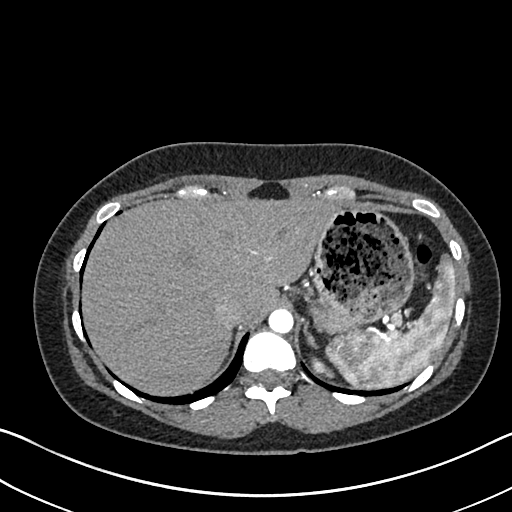
One axial slice (559 of 612, counting up from the lowest) of an arterial-phase abdominal CT acquired with 120 kVp, kernel I30f; each pixel is 0.703 mm and the slice is 1.00 mm thick.
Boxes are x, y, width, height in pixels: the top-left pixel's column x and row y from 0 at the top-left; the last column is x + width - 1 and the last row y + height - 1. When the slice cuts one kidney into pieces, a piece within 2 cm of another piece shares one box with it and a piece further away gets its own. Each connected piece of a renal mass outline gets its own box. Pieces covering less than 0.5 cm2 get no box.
Box x 312, y 356, width 21, height 19: left kidney (outlined area 189 px, about 0.9 cm2). No renal mass outline on this slice.